Abdominal CT with intravenous contrast, arterial phase, axial plane, 120 kVp, kernel I30f. Slice 257/683 from the bottom of the scan; thickness 1.00 mm; pixel size 0.738 mm.
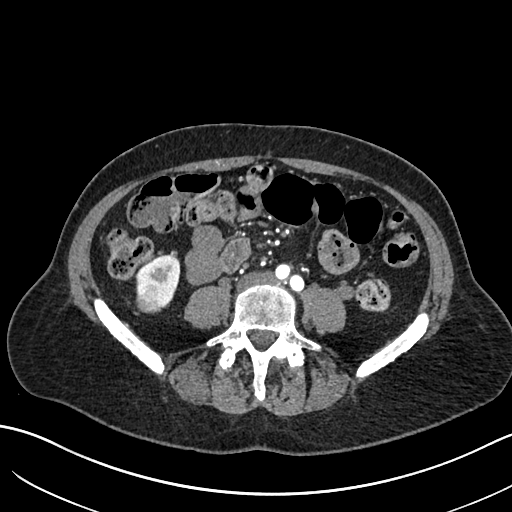
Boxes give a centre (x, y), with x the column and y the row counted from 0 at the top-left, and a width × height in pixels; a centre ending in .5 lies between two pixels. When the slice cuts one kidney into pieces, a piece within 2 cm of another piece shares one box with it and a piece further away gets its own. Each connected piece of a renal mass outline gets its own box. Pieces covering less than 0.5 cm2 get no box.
One kidney box and one renal mass box on this slice; by box centre, from the image's left to its right: (1) Right renal mass, box centre (149.5, 297.5), 30 × 30 pixels (outlined area 713 px, about 3.9 cm2). (2) Box centre (157.5, 280.5), 46 × 54 pixels: right kidney (outlined area 1,368 px, about 7.5 cm2).